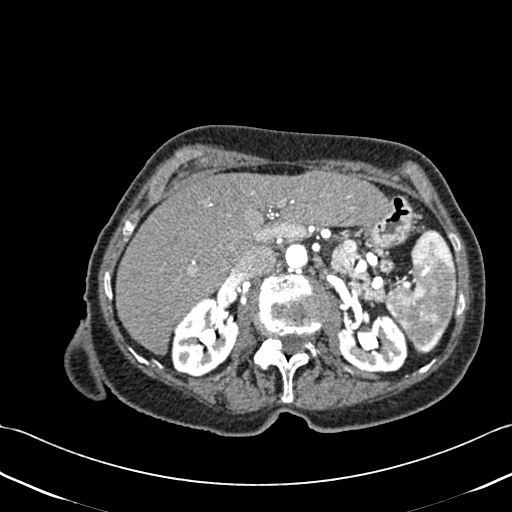
Axial slice 290 of 433 of a contrast-enhanced abdominal CT (slice 1 is the lowest), 120 kVp, kernel B30f; 1.00 mm slice thickness and 0.672 mm pixels.
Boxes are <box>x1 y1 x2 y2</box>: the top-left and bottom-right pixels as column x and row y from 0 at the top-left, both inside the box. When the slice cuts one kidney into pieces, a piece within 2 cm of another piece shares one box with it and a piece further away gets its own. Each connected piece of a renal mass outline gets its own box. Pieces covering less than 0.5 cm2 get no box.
Two boxes on this slice (two kidney boxes), listed by box centre from the image's left to its right. (1) At <box>171 297 240 377</box>: right kidney (outlined area 3,901 px, about 17.6 cm2). (2) At <box>337 314 407 372</box>: left kidney (outlined area 3,188 px, about 14.4 cm2). No renal mass is outlined on this slice.